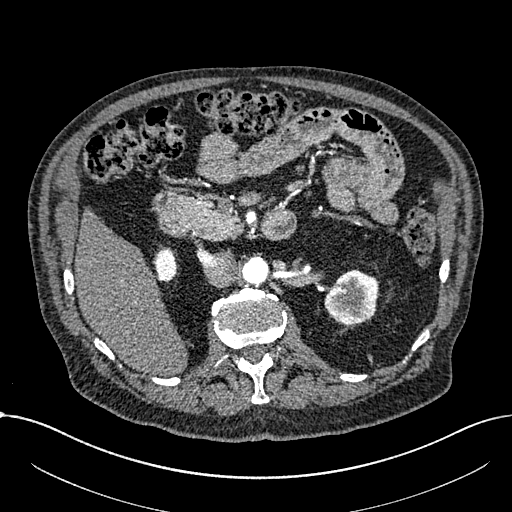
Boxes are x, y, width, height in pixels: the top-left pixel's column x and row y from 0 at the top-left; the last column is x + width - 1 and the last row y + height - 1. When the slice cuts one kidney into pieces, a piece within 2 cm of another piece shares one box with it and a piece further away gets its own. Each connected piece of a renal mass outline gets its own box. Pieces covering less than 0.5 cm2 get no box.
This is axial slice 428 of 1059 (slice 1 is the lowest) of an arterial-phase abdominal CT with contrast; each pixel is 0.811 mm and the slice is 1.00 mm thick. Two boxes on this slice (two kidney boxes), listed by box centre from the image's left to its right. (1) Right part of the midline-crossing kidney, box x 154, y 249, width 24, height 34 (outlined area 611 px, about 4.0 cm2). (2) Left part of the midline-crossing kidney, box x 324, y 269, width 55, height 56 (outlined area 2,336 px, about 15.3 cm2). This slice carries no renal mass outline.
Scan settings: 100 kVp, I30f reconstruction kernel.